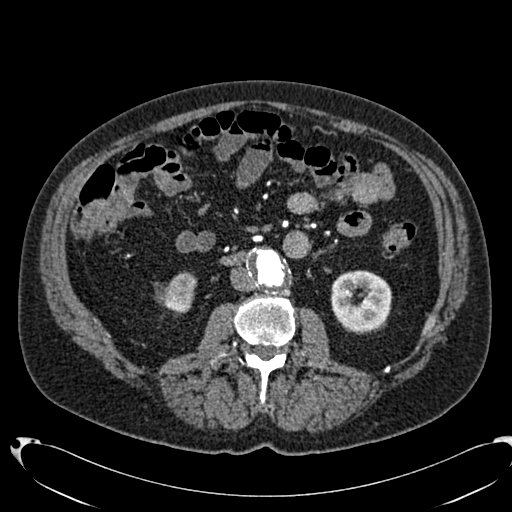
One axial slice (359 of 553, counting up from the lowest) of an arterial-phase abdominal CT acquired with 120 kVp, kernel B20f; each pixel is 0.773 mm and the slice is 1.00 mm thick.
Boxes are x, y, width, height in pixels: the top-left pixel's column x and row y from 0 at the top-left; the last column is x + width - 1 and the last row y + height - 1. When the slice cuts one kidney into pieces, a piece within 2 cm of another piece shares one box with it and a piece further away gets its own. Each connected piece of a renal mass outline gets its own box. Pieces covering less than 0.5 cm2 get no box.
Boxed on this slice (two kidney boxes), listed by box centre from the image's left to its right: (1) Right kidney, box x 162, y 271, width 35, height 43 (outlined area 1,074 px, about 6.4 cm2). (2) Box x 331, y 270, width 62, height 63: left kidney (outlined area 2,980 px, about 17.8 cm2). This slice carries no renal mass outline.